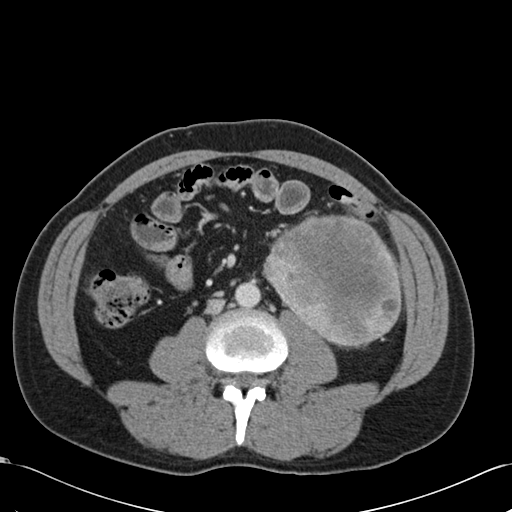
One axial slice (53 of 99, counting up from the lowest) of an arterial-phase abdominal CT acquired with 120 kVp, kernel B30f; each pixel is 0.693 mm and the slice is 5.00 mm thick.
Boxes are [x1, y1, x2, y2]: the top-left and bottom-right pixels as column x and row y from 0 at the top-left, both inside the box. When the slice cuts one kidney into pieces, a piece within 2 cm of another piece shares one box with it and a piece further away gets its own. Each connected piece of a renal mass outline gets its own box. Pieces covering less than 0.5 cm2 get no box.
Left renal mass, box [262, 214, 401, 347] (outlined area 13,669 px, about 65.7 cm2); no kidney outline appears on this slice, but the same outlined renal mass comes within 1 cm of the kidney on another slice.